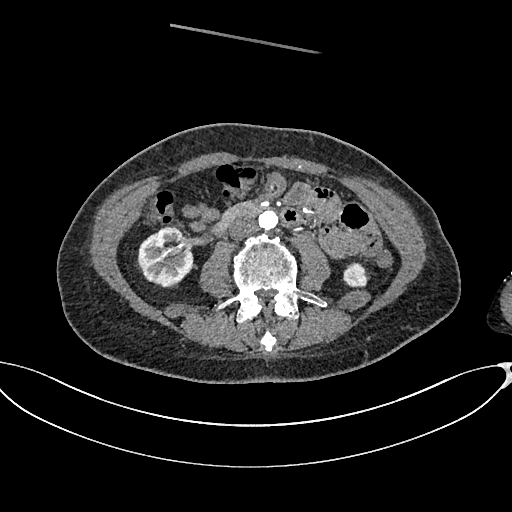
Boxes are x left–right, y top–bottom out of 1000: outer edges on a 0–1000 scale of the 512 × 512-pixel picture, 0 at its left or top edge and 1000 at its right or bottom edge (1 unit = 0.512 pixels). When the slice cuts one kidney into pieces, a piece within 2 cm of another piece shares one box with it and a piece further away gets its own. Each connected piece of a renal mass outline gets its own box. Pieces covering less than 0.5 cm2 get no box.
This is axial slice 314 of 665 (slice 1 is the lowest) of an arterial-phase abdominal CT with contrast; each pixel is 0.828 mm and the slice is 1.00 mm thick. Two boxes on this slice (two kidney boxes), listed by box centre from the image's left to its right. (1) Right kidney at x 266–379, y 443–563 out of 1000 (outlined area 2,576 px, about 17.7 cm2). (2) Box x 670–723, y 512–563 out of 1000: left kidney (outlined area 539 px, about 3.7 cm2). This slice carries no renal mass outline.
Acquired at 100 kVp and reconstructed with the I26f kernel.